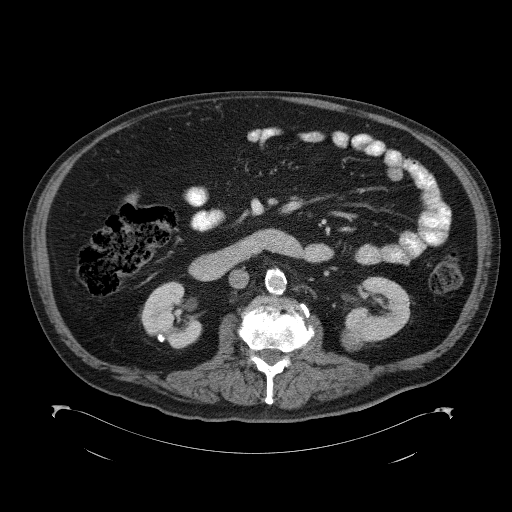
One axial slice (55 of 98, counting up from the lowest) of a contrast-enhanced abdominal CT acquired with 120 kVp, kernel B41f; each pixel is 0.965 mm and the slice is 5.00 mm thick.
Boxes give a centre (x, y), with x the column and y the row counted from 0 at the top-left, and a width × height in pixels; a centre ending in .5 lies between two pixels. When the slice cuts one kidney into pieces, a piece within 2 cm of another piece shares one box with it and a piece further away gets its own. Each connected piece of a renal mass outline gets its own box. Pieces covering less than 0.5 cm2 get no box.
Boxed on this slice (two kidney boxes and one renal mass box), listed by box centre from the image's left to its right: (1) Right kidney in a box with centre (171, 314.5), 63 × 68 pixels (outlined area 2,779 px, about 25.9 cm2). (2) Box centre (352.5, 339), 24 × 23 pixels: left renal mass (outlined area 441 px, about 4.1 cm2). (3) Left kidney in a box with centre (377.5, 309), 66 × 67 pixels (outlined area 2,936 px, about 27.3 cm2).